Axial slice 47 of 102 of a contrast-enhanced abdominal CT (slice 1 is the lowest), 120 kVp, kernel I40f; 5.00 mm slice thickness and 0.977 mm pixels.
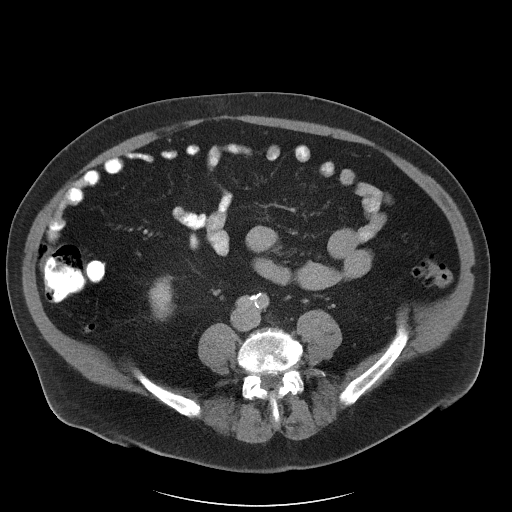
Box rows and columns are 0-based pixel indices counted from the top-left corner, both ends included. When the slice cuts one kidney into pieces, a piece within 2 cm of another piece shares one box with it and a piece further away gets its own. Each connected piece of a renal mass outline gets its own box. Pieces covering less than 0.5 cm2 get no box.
Box rows 275–320, columns 148–175: right kidney (outlined area 862 px, about 8.2 cm2). No renal mass outline on this slice.